One axial slice (2 of 34, counting up from the lowest) of an arterial-phase abdominal CT acquired with 120 kVp, kernel B30f; each pixel is 0.830 mm and the slice is 5.00 mm thick.
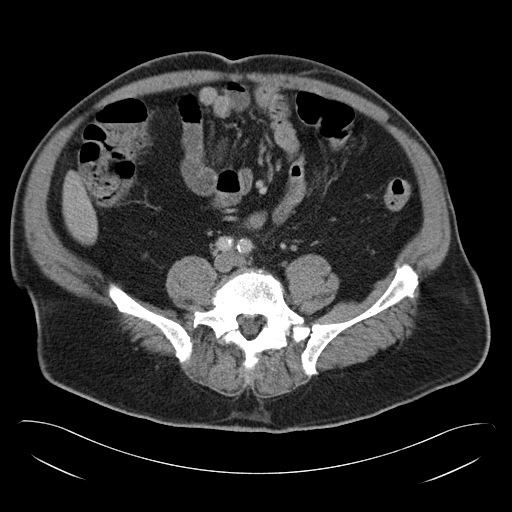
Outside the outlined region: no kidney outline and no renal mass outline on this slice. The scan's outlines cover only kidneys and renal masses; no other organ is outlined.